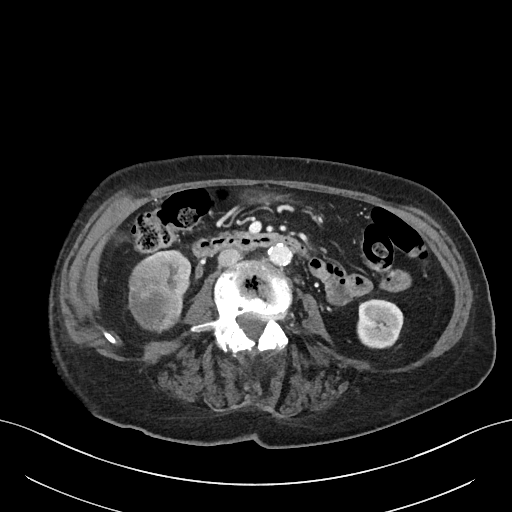
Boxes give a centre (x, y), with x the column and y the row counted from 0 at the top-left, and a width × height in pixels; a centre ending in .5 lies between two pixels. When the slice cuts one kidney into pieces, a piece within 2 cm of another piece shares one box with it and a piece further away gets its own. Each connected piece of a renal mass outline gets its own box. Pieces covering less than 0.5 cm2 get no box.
Slice 23/76 of a contrast-enhanced abdominal CT, counting up from the lowest; pixel size 0.768 mm, slice thickness 3.00 mm. Three boxes on this slice (two kidney boxes and one renal mass box), listed by box centre from the image's left to its right. (1) Right renal mass, box centre (155, 293), 55 × 81 pixels (outlined area 3,050 px, about 18.0 cm2). (2) Right kidney, box centre (171, 278.5), 41 × 60 pixels (outlined area 1,040 px, about 6.1 cm2). (3) Left kidney, box centre (379.5, 323.5), 48 × 50 pixels (outlined area 1,960 px, about 11.5 cm2).
Scan settings: 100 kVp, I40f reconstruction kernel.